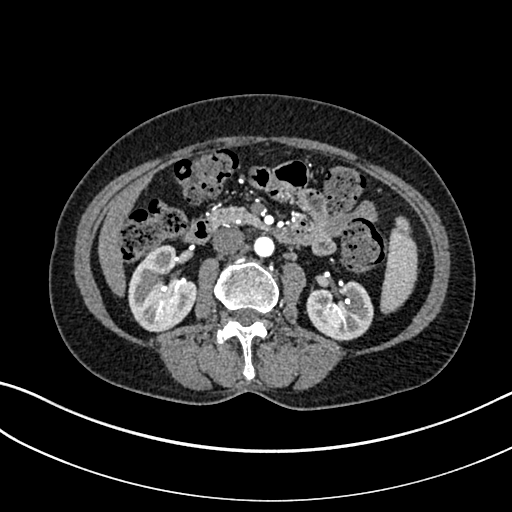
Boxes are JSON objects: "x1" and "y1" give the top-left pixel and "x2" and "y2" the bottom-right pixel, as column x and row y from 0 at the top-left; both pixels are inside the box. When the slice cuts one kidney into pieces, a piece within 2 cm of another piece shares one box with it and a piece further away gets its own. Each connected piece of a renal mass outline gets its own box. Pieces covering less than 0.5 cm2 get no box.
Slice 144/325 of a contrast-enhanced abdominal CT in the arterial phase, counting up from the lowest; pixel size 0.703 mm, slice thickness 1.00 mm. Two kidney boxes on this slice; by box centre, from the image's left to its right: (1) Box {"x1": 128, "y1": 245, "x2": 197, "y2": 332}: right kidney (outlined area 4,253 px, about 21.0 cm2). (2) Left kidney at {"x1": 306, "y1": 280, "x2": 373, "y2": 341} (outlined area 3,134 px, about 15.5 cm2). No renal mass outline on this slice.
Tube voltage 100 kVp; convolution kernel I30f.